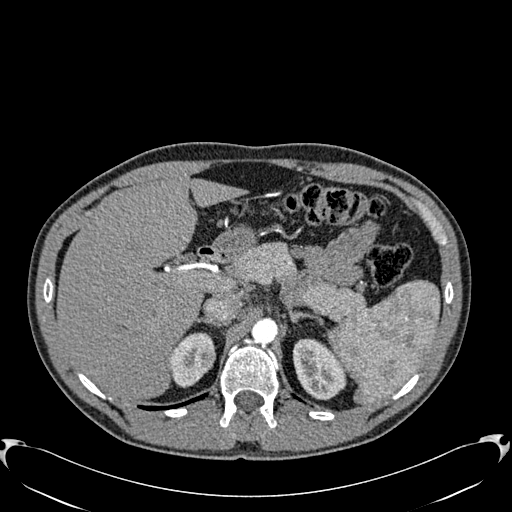
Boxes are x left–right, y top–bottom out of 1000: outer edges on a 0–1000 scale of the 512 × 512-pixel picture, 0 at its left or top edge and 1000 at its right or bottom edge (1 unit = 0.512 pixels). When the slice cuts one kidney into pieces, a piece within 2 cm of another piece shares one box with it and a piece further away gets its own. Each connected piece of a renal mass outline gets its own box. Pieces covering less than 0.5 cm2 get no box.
Arterial-phase contrast-enhanced abdominal CT, axial slice 435 of 512 (counted from the lowest slice); 1.00 mm thick, 0.771 mm per pixel. Boxed on this slice (two kidney boxes and one renal mass box), listed by box centre from the image's left to its right: (1) Box x 330–422, y 648–758 out of 1000: right kidney (outlined area 1,568 px, about 9.3 cm2). (2) Right renal mass at x 383–422, y 684–723 out of 1000 (outlined area 286 px, about 1.7 cm2). (3) Box x 572–678, y 660–783 out of 1000: left kidney (outlined area 2,408 px, about 14.3 cm2).
Scan settings: 120 kVp, B30f reconstruction kernel.